Arterial-phase contrast-enhanced abdominal CT, axial slice 32 of 59 (counted from the lowest slice); tube voltage 120 kVp, convolution kernel B30f; slices 5.00 mm thick, 0.871 mm per pixel.
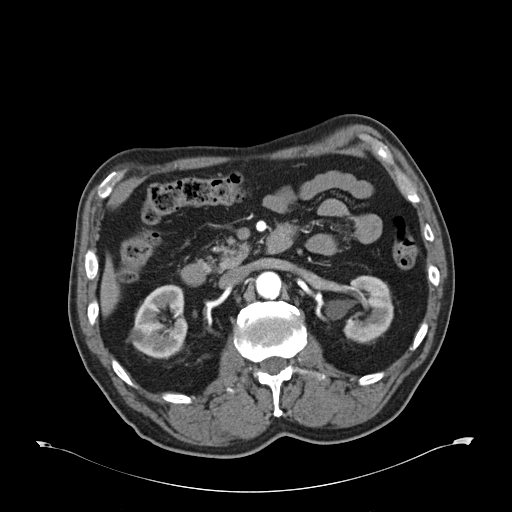
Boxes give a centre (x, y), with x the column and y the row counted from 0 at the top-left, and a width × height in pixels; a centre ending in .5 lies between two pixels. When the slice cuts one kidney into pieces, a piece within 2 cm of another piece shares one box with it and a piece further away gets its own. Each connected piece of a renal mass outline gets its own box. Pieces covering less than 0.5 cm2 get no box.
Two boxes on this slice (two kidney boxes), listed by box centre from the image's left to its right. (1) Box centre (157, 321), 61 × 75 pixels: right kidney (outlined area 3,196 px, about 24.3 cm2). (2) Left kidney, box centre (368, 309), 51 × 69 pixels (outlined area 2,537 px, about 19.3 cm2). No renal mass outline on this slice.